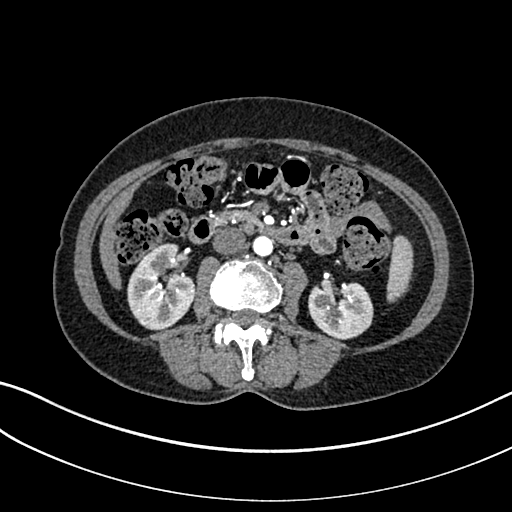
Abdominal CT with intravenous contrast, arterial phase, axial plane, 100 kVp, kernel I30f. Slice 136/325 from the bottom of the scan; thickness 1.00 mm; pixel size 0.703 mm.
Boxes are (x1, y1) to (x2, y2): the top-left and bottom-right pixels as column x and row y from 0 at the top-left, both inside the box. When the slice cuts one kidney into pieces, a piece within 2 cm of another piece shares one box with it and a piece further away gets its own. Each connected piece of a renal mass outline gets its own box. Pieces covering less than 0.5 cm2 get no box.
Boxed on this slice (two kidney boxes), listed by box centre from the image's left to its right: (1) Right kidney from (127, 243) to (194, 330) (outlined area 4,336 px, about 21.4 cm2). (2) Left kidney, box (308, 282) to (373, 339) (outlined area 2,994 px, about 14.8 cm2). No renal mass is outlined on this slice.